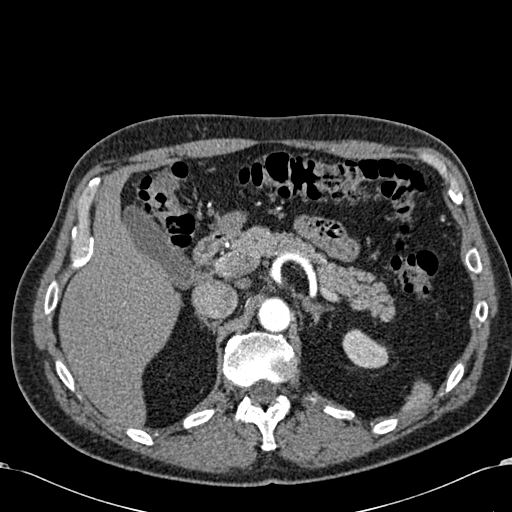
Axial slice 442 of 581 of a contrast-enhanced abdominal CT in the arterial phase (slice 1 is the lowest), 120 kVp, kernel B30f; 1.00 mm slice thickness and 0.713 mm pixels.
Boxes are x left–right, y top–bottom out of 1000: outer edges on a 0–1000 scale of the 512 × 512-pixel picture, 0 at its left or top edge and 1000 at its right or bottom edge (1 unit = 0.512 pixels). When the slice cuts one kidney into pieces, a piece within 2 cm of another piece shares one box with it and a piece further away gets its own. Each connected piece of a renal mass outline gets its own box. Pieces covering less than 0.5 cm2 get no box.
Box x 668–760, y 643–721 out of 1000: left kidney (outlined area 1,298 px, about 6.6 cm2). No renal mass is outlined on this slice.